Axial slice 44 of 99 of a contrast-enhanced abdominal CT in the arterial phase (slice 1 is the lowest), 120 kVp, kernel B30f; 5.00 mm slice thickness and 0.693 mm pixels.
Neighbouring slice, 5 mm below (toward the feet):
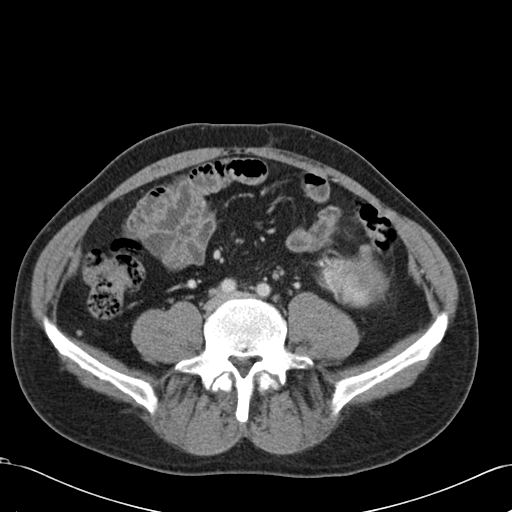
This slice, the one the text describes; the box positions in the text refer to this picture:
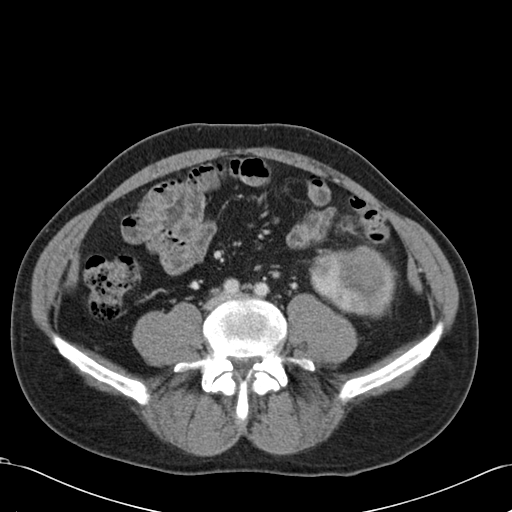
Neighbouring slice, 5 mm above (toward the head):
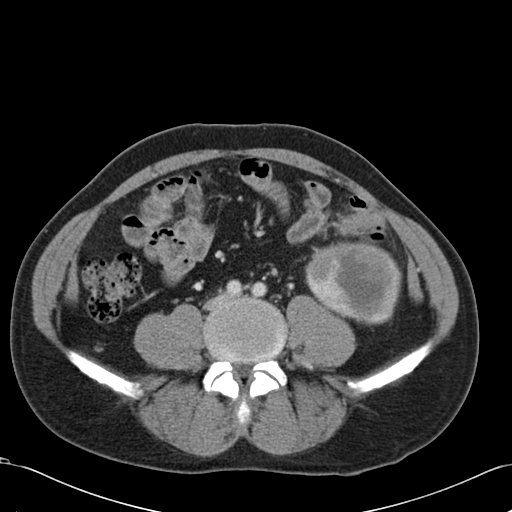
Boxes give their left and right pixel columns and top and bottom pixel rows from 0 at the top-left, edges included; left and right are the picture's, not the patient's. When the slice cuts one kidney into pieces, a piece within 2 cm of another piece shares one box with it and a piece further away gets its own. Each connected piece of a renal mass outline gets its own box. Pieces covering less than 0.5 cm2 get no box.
Left renal mass in the box with left 309, top 245, right 396, bottom 318 (outlined area 4,863 px, about 23.4 cm2); no kidney outline appears on this slice, but the same outlined renal mass comes within 1 cm of the kidney on another slice. This slice is near the end of the left renal mass toward the feet, so the slices 5 mm below and 5 mm above it are shown as well; the boxes refer to this slice only.